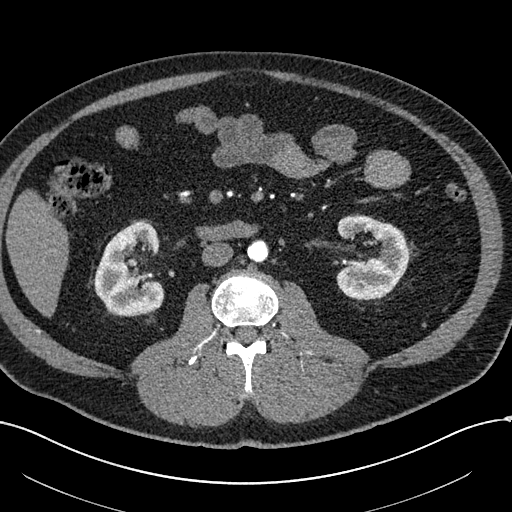
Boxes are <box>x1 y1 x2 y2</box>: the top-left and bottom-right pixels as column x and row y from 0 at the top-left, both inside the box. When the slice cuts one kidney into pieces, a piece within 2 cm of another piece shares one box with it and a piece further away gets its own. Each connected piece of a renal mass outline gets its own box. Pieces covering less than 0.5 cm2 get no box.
Arterial-phase contrast-enhanced abdominal CT, axial slice 283 of 602 (counted from the lowest slice); 1.00 mm thick, 0.799 mm per pixel. Two boxes on this slice (two kidney boxes), listed by box centre from the image's left to its right. (1) At <box>94 222 164 316</box>: right kidney (outlined area 4,770 px, about 30.4 cm2). (2) At <box>335 215 409 300</box>: left kidney (outlined area 4,514 px, about 28.8 cm2). No renal mass outline on this slice.
Tube voltage 120 kVp; convolution kernel I30f.